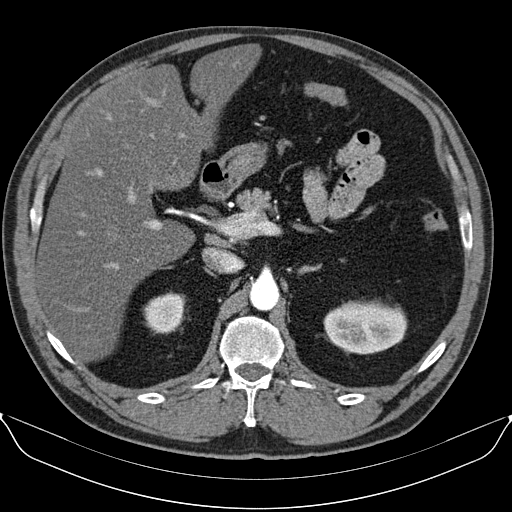
Abdominal CT with intravenous contrast, arterial phase, axial plane, 130 kVp, kernel B30s. Slice 68/96 from the bottom of the scan; thickness 3.00 mm; pixel size 0.781 mm.
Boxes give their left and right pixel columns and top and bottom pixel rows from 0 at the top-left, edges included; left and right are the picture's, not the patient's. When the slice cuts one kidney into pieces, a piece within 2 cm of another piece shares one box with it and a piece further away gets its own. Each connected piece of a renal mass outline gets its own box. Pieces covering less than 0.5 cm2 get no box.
Two kidney boxes on this slice; by box centre, from the image's left to its right: (1) Right kidney, the box with left 143, top 291, right 185, bottom 334 (outlined area 1,406 px, about 8.6 cm2). (2) Box with left 323, top 300, right 407, bottom 354: left kidney (outlined area 3,574 px, about 21.8 cm2). This slice carries no renal mass outline.